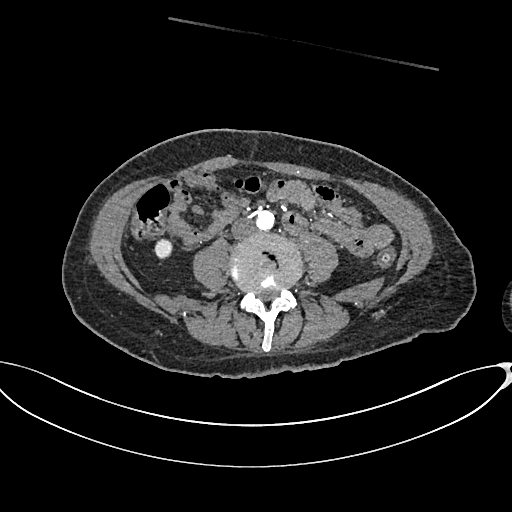
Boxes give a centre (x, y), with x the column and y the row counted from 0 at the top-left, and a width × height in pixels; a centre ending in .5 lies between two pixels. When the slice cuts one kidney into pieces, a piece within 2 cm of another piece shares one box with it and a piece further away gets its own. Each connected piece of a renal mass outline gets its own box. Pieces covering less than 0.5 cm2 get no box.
This is axial slice 269 of 665 (slice 1 is the lowest) of an arterial-phase abdominal CT with contrast; each pixel is 0.828 mm and the slice is 1.00 mm thick. Right kidney in a box with centre (163.5, 248.5), 18 × 22 pixels (outlined area 316 px, about 2.2 cm2). No renal mass outline on this slice.
Scan settings: 100 kVp, I26f reconstruction kernel.